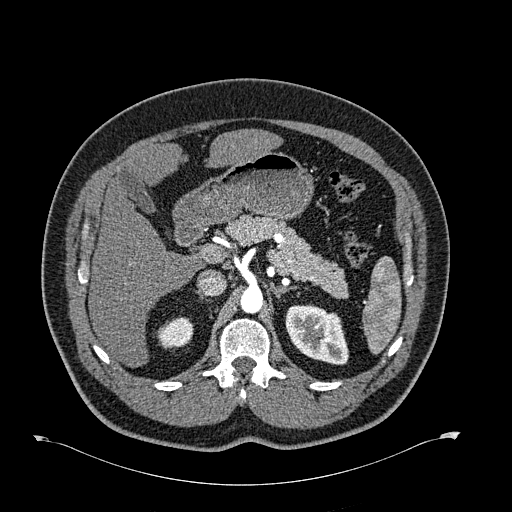
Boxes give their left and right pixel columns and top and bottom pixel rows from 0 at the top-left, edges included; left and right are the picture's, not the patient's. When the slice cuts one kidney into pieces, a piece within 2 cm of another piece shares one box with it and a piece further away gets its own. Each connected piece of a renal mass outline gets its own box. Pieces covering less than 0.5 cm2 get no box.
Arterial-phase contrast-enhanced abdominal CT, axial slice 450 of 723 (counted from the lowest slice); 1.00 mm thick, 0.895 mm per pixel. Two boxes on this slice (two kidney boxes), listed by box centre from the image's left to its right. (1) Right kidney, the box with left 157, top 316, right 193, bottom 347 (outlined area 868 px, about 6.9 cm2). (2) Left kidney in the box with left 285, top 304, right 348, bottom 365 (outlined area 2,868 px, about 22.9 cm2). No renal mass outline on this slice.
Acquired at 120 kVp and reconstructed with the B30f kernel.